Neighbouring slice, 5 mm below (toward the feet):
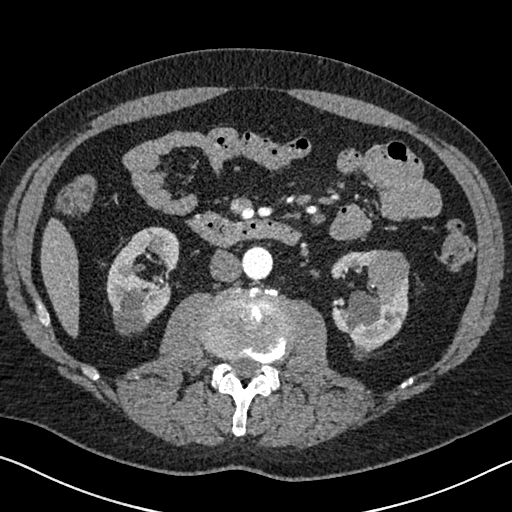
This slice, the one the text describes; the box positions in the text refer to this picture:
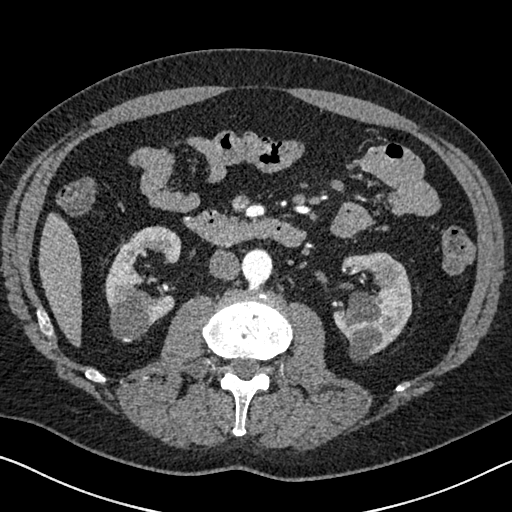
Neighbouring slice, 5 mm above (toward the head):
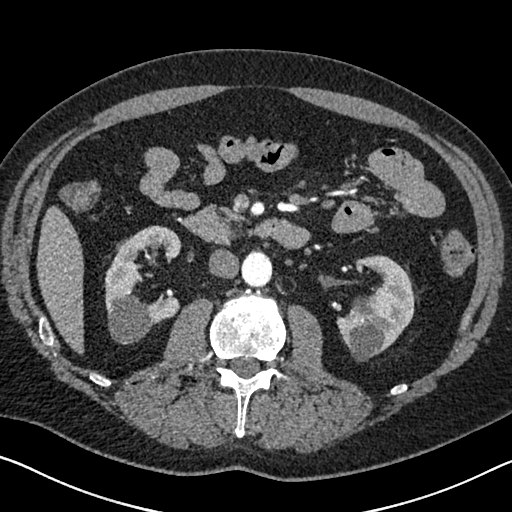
Axial slice 353 of 626 of a contrast-enhanced abdominal CT in the arterial phase (slice 1 is the lowest), 120 kVp, kernel I30f; 1.00 mm slice thickness and 0.703 mm pixels.
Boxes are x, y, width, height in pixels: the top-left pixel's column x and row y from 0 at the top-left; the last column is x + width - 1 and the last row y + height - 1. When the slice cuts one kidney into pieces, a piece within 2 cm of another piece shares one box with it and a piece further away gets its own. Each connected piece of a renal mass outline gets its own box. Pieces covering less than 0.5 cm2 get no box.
Three boxes on this slice (two kidney boxes and one renal mass box), listed by box centre from the image's left to its right. (1) Right kidney, box x 104, y 225, width 79, height 116 (outlined area 5,314 px, about 26.3 cm2). (2) Left kidney, box x 332, y 252, width 81, height 110 (outlined area 5,607 px, about 27.7 cm2). (3) Left renal mass at x 376, y 262, width 17, height 21 (outlined area 268 px, about 1.3 cm2). This slice is near the end of the left renal mass toward the head, so the slices 5 mm below and 5 mm above it are shown as well; the boxes refer to this slice only.